Abdominal CT with intravenous contrast, arterial phase, axial plane, 140 kVp, kernel I30f. Slice 292/591 from the bottom of the scan; thickness 1.00 mm; pixel size 0.703 mm.
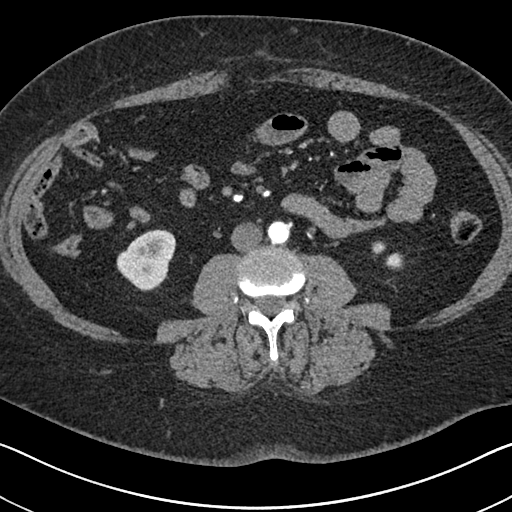
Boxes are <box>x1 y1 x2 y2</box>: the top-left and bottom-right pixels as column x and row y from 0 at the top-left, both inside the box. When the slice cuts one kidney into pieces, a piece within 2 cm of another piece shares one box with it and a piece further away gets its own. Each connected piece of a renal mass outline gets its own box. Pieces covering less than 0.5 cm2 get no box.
Two boxes on this slice (two kidney boxes), listed by box centre from the image's left to its right. (1) Right kidney: <box>116 229 176 291</box> (outlined area 2,610 px, about 12.9 cm2). (2) Left kidney: <box>372 241 403 270</box> (outlined area 434 px, about 2.1 cm2). This slice carries no renal mass outline.